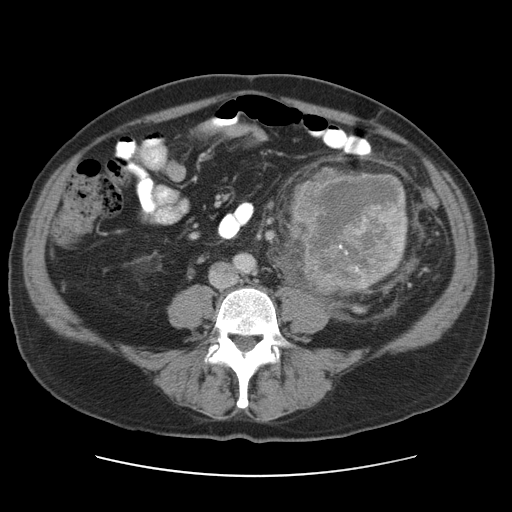
Axial slice 47 of 95 of a contrast-enhanced abdominal CT (slice 1 is the lowest), 120 kVp, kernel STANDARD; 5.00 mm slice thickness and 0.781 mm pixels.
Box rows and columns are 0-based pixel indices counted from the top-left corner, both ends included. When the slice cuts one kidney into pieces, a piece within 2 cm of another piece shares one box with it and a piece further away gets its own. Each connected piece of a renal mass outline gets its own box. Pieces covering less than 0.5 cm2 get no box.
Left renal mass, box rows 167–295, columns 289–411 (outlined area 12,186 px, about 74.4 cm2); no kidney outline appears on this slice, but the same outlined renal mass comes within 1 cm of the kidney on another slice.